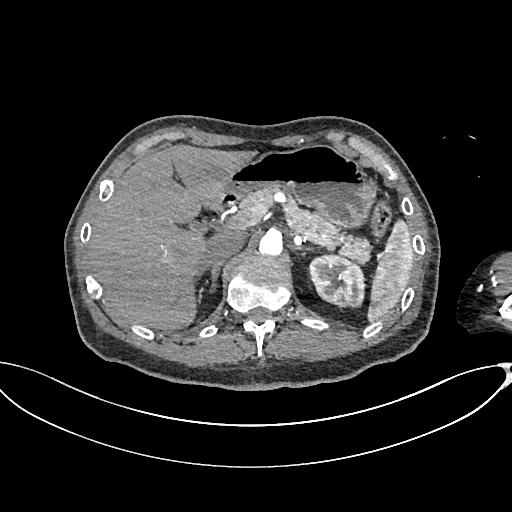
Arterial-phase contrast-enhanced abdominal CT, axial slice 481 of 665 (counted from the lowest slice); tube voltage 100 kVp, convolution kernel I26f; slices 1.00 mm thick, 0.828 mm per pixel.
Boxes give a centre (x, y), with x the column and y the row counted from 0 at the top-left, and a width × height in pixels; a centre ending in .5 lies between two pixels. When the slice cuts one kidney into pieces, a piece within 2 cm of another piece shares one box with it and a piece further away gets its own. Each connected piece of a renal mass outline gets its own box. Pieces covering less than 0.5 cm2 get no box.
Box centre (336.5, 281.5), 60 × 58 pixels: left kidney (outlined area 2,460 px, about 16.9 cm2). No renal mass outline on this slice.